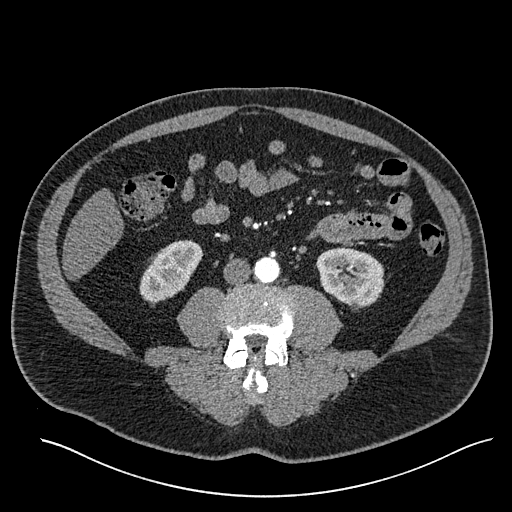
Arterial-phase contrast-enhanced abdominal CT, axial slice 222 of 527 (counted from the lowest slice); tube voltage 120 kVp, convolution kernel I30f; slices 1.00 mm thick, 0.859 mm per pixel.
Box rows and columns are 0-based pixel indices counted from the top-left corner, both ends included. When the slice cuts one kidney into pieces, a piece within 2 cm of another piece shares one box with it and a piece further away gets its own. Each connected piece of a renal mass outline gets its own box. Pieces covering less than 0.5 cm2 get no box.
Two kidney boxes on this slice; by box centre, from the image's left to its right: (1) Right kidney at rows 240–302, columns 139–203 (outlined area 2,598 px, about 19.2 cm2). (2) Left kidney at rows 246–310, columns 316–384 (outlined area 3,225 px, about 23.8 cm2). No renal mass outline on this slice.